Abdominal CT with intravenous contrast, arterial phase, axial plane, 120 kVp, kernel STANDARD. Slice 166/233 from the bottom of the scan; thickness 1.25 mm; pixel size 0.703 mm.
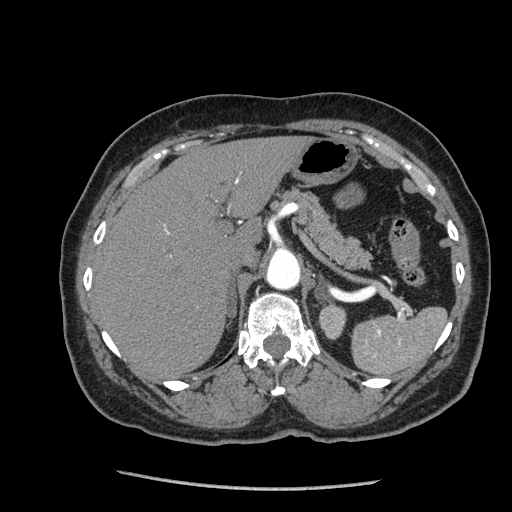
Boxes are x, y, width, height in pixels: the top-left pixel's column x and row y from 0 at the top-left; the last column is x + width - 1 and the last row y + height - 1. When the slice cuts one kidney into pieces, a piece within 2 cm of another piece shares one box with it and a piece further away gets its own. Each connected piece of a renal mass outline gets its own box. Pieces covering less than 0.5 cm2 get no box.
Left kidney at x 318, y 305, width 29, height 36 (outlined area 799 px, about 4.0 cm2). No renal mass is outlined on this slice.